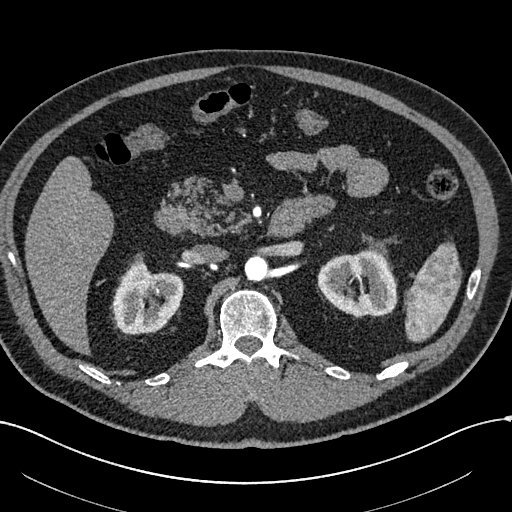
One axial slice (379 of 602, counting up from the lowest) of an arterial-phase abdominal CT acquired with 120 kVp, kernel I30f; each pixel is 0.799 mm and the slice is 1.00 mm thick.
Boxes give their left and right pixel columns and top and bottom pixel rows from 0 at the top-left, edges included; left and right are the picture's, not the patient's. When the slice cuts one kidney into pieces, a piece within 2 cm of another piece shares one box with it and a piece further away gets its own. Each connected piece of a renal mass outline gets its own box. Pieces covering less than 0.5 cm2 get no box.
Two kidney boxes on this slice; by box centre, from the image's left to its right: (1) Right kidney in the box with left 112, top 259, right 183, bottom 334 (outlined area 3,864 px, about 24.7 cm2). (2) Box with left 317, top 250, right 397, bottom 316: left kidney (outlined area 4,089 px, about 26.1 cm2). No renal mass outline on this slice.